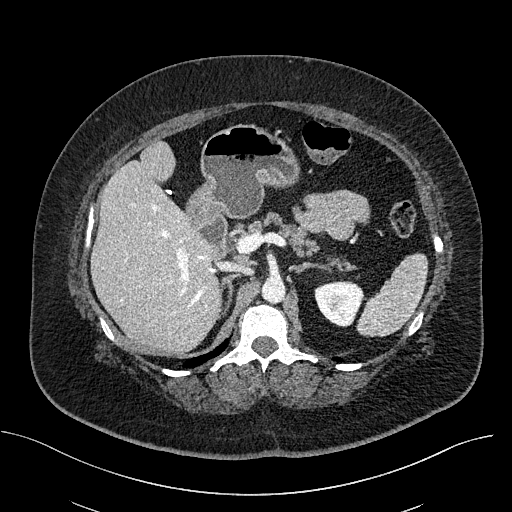
Abdominal CT with intravenous contrast, axial plane, 100 kVp, kernel I40f. Slice 336/470 from the bottom of the scan; thickness 2.00 mm; pixel size 0.824 mm.
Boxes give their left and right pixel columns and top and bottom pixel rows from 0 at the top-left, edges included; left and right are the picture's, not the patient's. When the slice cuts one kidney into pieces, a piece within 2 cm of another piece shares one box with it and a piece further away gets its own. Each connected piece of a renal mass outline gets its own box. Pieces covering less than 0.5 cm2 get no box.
Left kidney, the box with left 314, top 280, right 362, bottom 326 (outlined area 1,715 px, about 11.7 cm2). No renal mass outline on this slice.